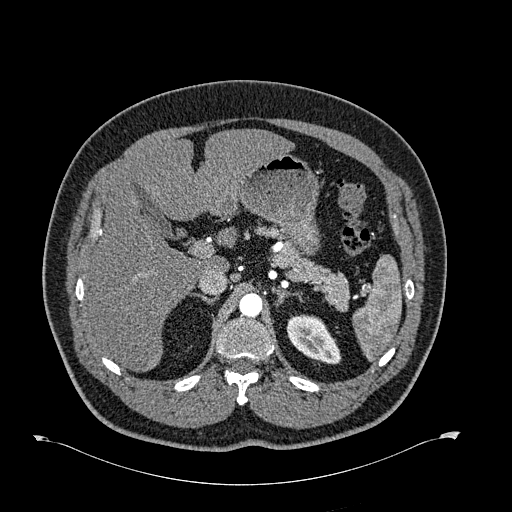
One axial slice (473 of 723, counting up from the lowest) of an arterial-phase abdominal CT acquired with 120 kVp, kernel B30f; each pixel is 0.895 mm and the slice is 1.00 mm thick.
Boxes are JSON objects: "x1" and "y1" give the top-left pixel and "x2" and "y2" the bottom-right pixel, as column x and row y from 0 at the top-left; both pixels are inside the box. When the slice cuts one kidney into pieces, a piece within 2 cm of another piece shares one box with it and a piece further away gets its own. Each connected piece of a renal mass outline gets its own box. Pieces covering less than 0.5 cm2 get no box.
Left kidney at {"x1": 286, "y1": 314, "x2": 341, "y2": 364} (outlined area 1,856 px, about 14.9 cm2). No renal mass outline on this slice.